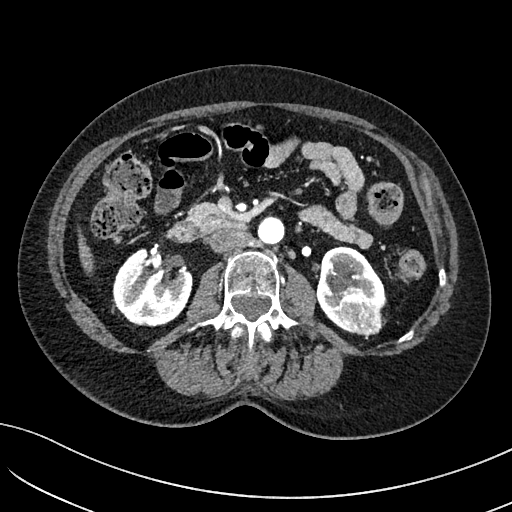
Axial slice 50 of 234 of a contrast-enhanced abdominal CT in the arterial phase (slice 1 is the lowest), 100 kVp, kernel I40f; 2.00 mm slice thickness and 0.699 mm pixels.
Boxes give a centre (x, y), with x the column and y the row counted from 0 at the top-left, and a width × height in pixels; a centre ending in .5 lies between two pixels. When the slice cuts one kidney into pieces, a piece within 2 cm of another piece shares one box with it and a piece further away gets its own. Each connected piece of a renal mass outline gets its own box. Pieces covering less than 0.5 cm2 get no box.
Boxed on this slice (two kidney boxes and one renal mass box), listed by box centre from the image's left to its right: (1) Right kidney, box centre (152, 287), 81 × 79 pixels (outlined area 4,630 px, about 22.6 cm2). (2) Left kidney, box centre (350.5, 283), 72 × 75 pixels (outlined area 2,998 px, about 14.7 cm2). (3) Box centre (358.5, 312), 52 × 49 pixels: left renal mass (outlined area 1,773 px, about 8.7 cm2).